One axial slice (173 of 620, counting up from the lowest) of an arterial-phase abdominal CT acquired with 120 kVp, kernel B31f; each pixel is 0.637 mm and the slice is 2.00 mm thick.
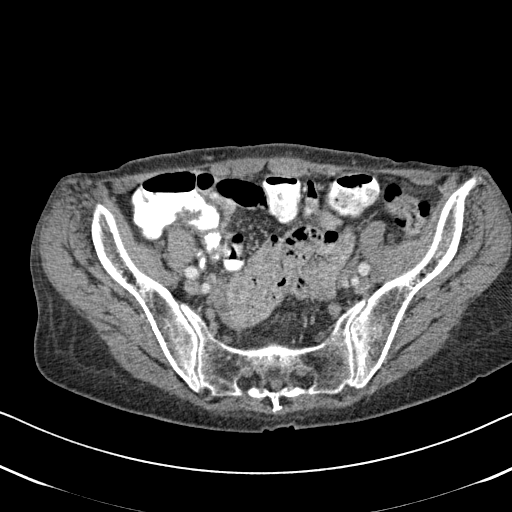
No kidney and no renal mass is outlined on this slice; the outlines in this scan cover only the kidneys and the renal masses, so nothing is said about any other organ.